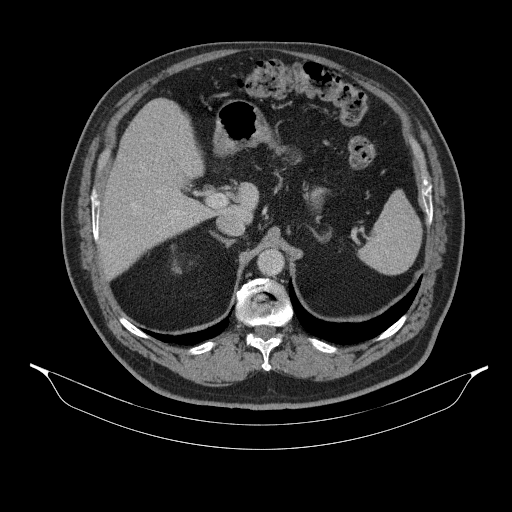
One axial slice (238 of 314, counting up from the lowest) of a contrast-enhanced abdominal CT acquired with 130 kVp, kernel B31s; each pixel is 0.934 mm and the slice is 2.50 mm thick.
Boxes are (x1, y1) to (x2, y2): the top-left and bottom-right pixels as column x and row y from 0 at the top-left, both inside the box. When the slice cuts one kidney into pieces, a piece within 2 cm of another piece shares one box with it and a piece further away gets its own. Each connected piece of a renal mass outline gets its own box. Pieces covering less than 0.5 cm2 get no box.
Right kidney, box (172, 265) to (181, 273) (outlined area 64 px, about 0.6 cm2). No renal mass is outlined on this slice.